One axial slice (111 of 325, counting up from the lowest) of an arterial-phase abdominal CT acquired with 100 kVp, kernel I30f; each pixel is 0.703 mm and the slice is 1.00 mm thick.
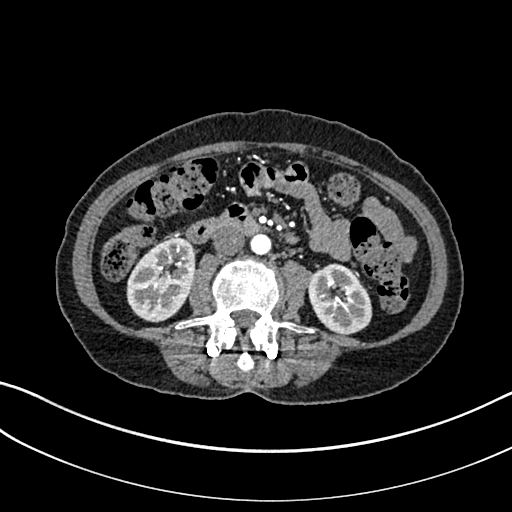
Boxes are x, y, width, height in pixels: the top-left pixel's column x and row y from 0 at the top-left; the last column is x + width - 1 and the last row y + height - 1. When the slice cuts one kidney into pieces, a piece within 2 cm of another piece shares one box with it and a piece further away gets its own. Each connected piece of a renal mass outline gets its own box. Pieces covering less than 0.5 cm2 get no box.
Two kidney boxes on this slice; by box centre, from the image's left to its right: (1) Right kidney, box x 126, y 235, width 70, height 88 (outlined area 4,407 px, about 21.8 cm2). (2) Left kidney at x 308, y 263, width 65, height 72 (outlined area 3,444 px, about 17.0 cm2). This slice carries no renal mass outline.